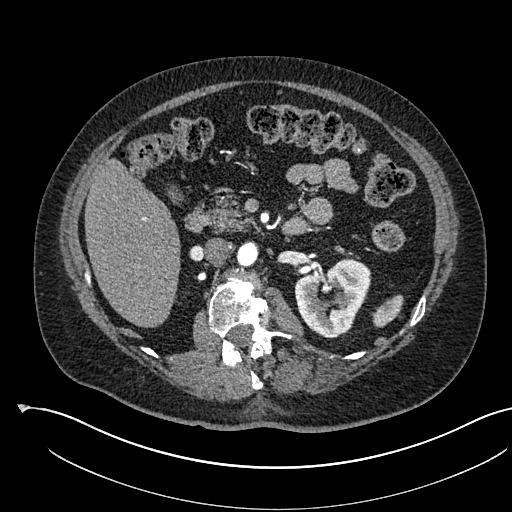
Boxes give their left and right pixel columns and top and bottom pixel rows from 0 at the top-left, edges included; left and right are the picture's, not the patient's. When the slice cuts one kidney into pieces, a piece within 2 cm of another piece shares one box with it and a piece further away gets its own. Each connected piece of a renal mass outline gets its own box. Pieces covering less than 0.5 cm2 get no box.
This is axial slice 346 of 541 (slice 1 is the lowest) of an arterial-phase abdominal CT with contrast; each pixel is 0.834 mm and the slice is 1.00 mm thick. Left kidney in the box with left 294, top 258, right 371, bottom 338 (outlined area 4,138 px, about 28.8 cm2). This slice carries no renal mass outline.
Tube voltage 120 kVp; convolution kernel I30f.